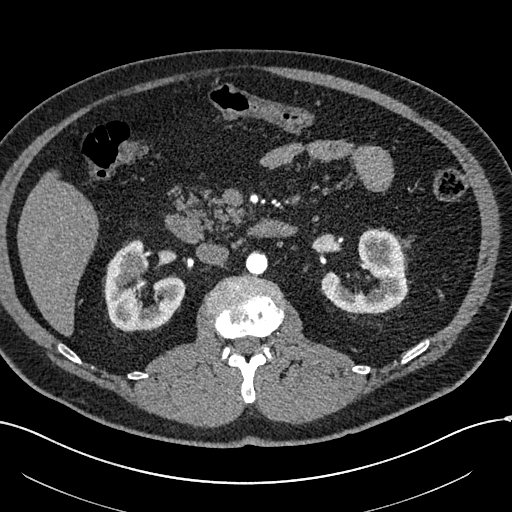
Abdominal CT with intravenous contrast, arterial phase, axial plane, 120 kVp, kernel I30f. Slice 343/602 from the bottom of the scan; thickness 1.00 mm; pixel size 0.799 mm.
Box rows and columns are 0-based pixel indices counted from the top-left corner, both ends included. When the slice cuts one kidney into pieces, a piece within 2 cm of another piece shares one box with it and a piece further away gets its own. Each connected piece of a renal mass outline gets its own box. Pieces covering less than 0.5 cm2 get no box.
Boxed on this slice (two kidney boxes and one renal mass box), listed by box centre from the image's left to its right: (1) Right renal mass at rows 250–280, columns 119–148 (outlined area 614 px, about 3.9 cm2). (2) Right kidney, box rows 238–332, columns 104–185 (outlined area 4,213 px, about 26.9 cm2). (3) Box rows 229–313, columns 321–408: left kidney (outlined area 4,361 px, about 27.8 cm2).